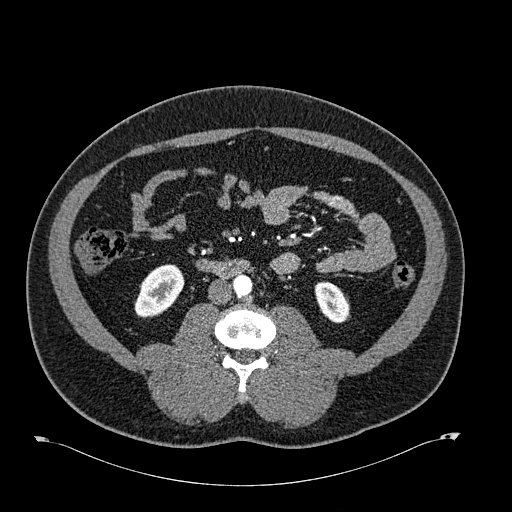
Axial slice 282 of 723 of a contrast-enhanced abdominal CT in the arterial phase (slice 1 is the lowest), 120 kVp, kernel B30f; 1.00 mm slice thickness and 0.895 mm pixels.
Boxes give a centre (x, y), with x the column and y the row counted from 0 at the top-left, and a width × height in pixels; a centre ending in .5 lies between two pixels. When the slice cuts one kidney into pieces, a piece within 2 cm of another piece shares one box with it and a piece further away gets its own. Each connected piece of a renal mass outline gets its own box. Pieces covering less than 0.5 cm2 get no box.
Boxed on this slice (two kidney boxes), listed by box centre from the image's left to its right: (1) Right kidney in a box with centre (158, 291), 49 × 55 pixels (outlined area 1,867 px, about 14.9 cm2). (2) Left kidney in a box with centre (331, 302.5), 35 × 42 pixels (outlined area 1,058 px, about 8.5 cm2). This slice carries no renal mass outline.